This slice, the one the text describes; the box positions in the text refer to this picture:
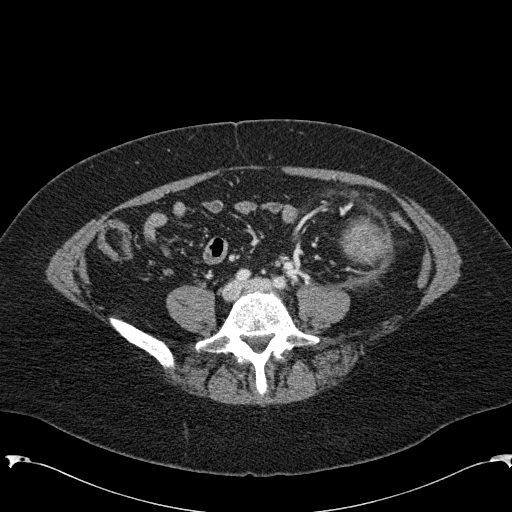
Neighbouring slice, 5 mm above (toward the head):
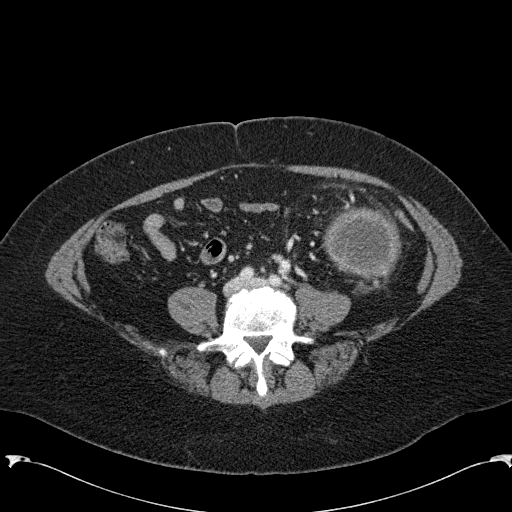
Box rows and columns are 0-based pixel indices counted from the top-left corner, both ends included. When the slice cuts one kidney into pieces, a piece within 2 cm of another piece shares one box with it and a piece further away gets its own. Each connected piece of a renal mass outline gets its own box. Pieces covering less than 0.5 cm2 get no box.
Slice 20/285 of a contrast-enhanced abdominal CT in the arterial phase, counting up from the lowest; pixel size 0.762 mm, slice thickness 2.00 mm. Box rows 217–266, columns 339–386: left renal mass (outlined area 1,694 px, about 9.8 cm2); this slice has no kidney outline, though on another slice the same outlined renal mass lies within 1 cm of the kidney. This slice lies near the end of the left renal mass toward the feet; the slice 5 mm above it is shown too, and the boxes mark positions on this slice only.
Tube voltage 120 kVp; convolution kernel B31f.